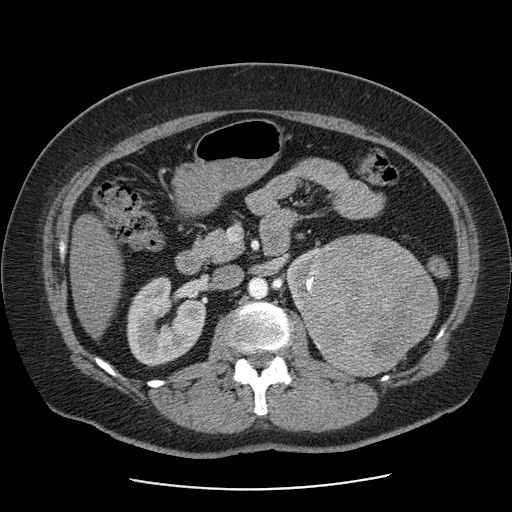
Axial slice 47 of 103 of a contrast-enhanced abdominal CT (slice 1 is the lowest), 120 kVp, kernel STANDARD; 2.50 mm slice thickness and 0.736 mm pixels.
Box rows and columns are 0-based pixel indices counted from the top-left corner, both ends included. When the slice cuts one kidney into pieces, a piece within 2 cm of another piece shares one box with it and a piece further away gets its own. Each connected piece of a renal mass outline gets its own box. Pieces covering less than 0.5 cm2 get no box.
Three boxes on this slice (two kidney boxes and one renal mass box), listed by box centre from the image's left to its right. (1) Right kidney at rows 276–366, columns 126–205 (outlined area 5,134 px, about 27.8 cm2). (2) Left kidney, box rows 246–311, columns 287–320 (outlined area 1,070 px, about 5.8 cm2). (3) Left renal mass at rows 233–377, columns 300–439 (outlined area 14,811 px, about 80.3 cm2).